Axial slice 571 of 738 of a contrast-enhanced abdominal CT in the arterial phase (slice 1 is the lowest), 120 kVp, kernel I30f; 1.00 mm slice thickness and 0.789 mm pixels.
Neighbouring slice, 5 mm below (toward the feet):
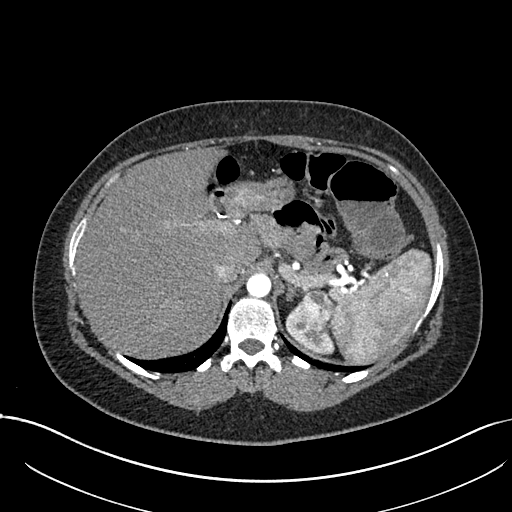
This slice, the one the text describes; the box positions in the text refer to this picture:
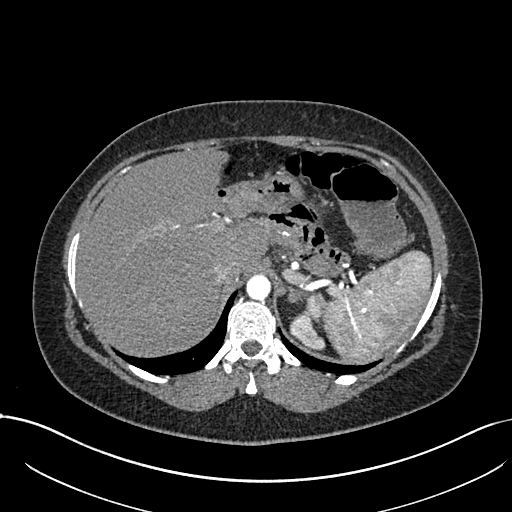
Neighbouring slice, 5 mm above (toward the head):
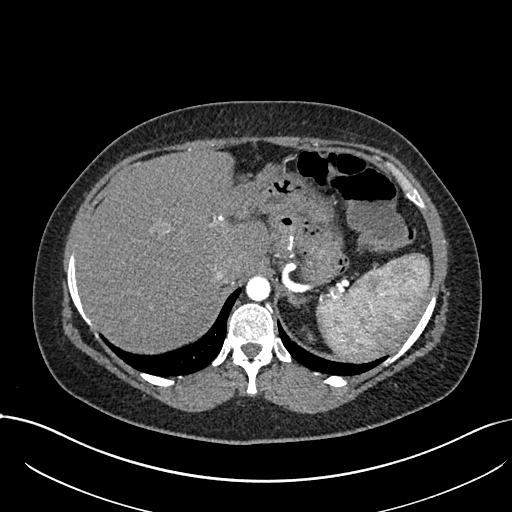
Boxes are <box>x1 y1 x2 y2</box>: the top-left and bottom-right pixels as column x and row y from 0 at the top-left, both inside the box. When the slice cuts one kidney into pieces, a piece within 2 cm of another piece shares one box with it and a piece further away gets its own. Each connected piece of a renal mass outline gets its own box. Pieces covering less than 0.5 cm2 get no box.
Two boxes on this slice (one kidney box and one renal mass box), listed by box centre from the image's left to its right. (1) Left kidney: <box>289 314 325 350</box> (outlined area 704 px, about 4.4 cm2). (2) Left renal mass: <box>300 291 325 324</box> (outlined area 525 px, about 3.3 cm2). This slice is near the end of the left renal mass toward the head, so the slices 5 mm below and 5 mm above it are shown as well; the boxes refer to this slice only.